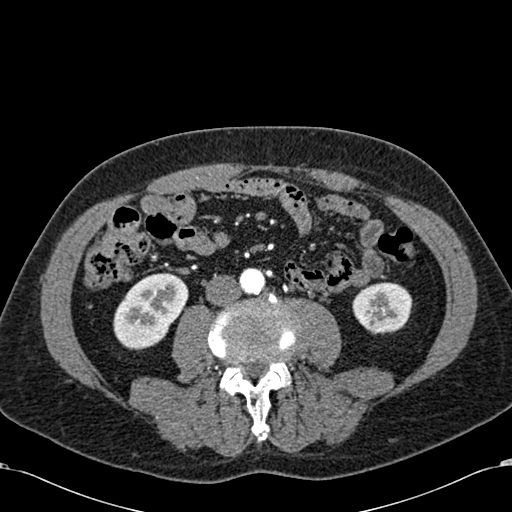
Axial slice 239 of 581 of a contrast-enhanced abdominal CT in the arterial phase (slice 1 is the lowest), 120 kVp, kernel B30f; 1.00 mm slice thickness and 0.713 mm pixels.
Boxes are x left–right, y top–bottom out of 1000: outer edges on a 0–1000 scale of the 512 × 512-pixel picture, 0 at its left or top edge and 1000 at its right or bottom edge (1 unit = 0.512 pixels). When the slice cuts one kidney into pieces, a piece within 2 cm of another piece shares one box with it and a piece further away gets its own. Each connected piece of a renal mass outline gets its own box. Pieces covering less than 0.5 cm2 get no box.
Boxed on this slice (two kidney boxes), listed by box centre from the image's left to its right: (1) Right kidney at x 221–369, y 531–686 out of 1000 (outlined area 4,088 px, about 20.8 cm2). (2) Box x 688–807, y 551–654 out of 1000: left kidney (outlined area 2,484 px, about 12.6 cm2). No renal mass outline on this slice.